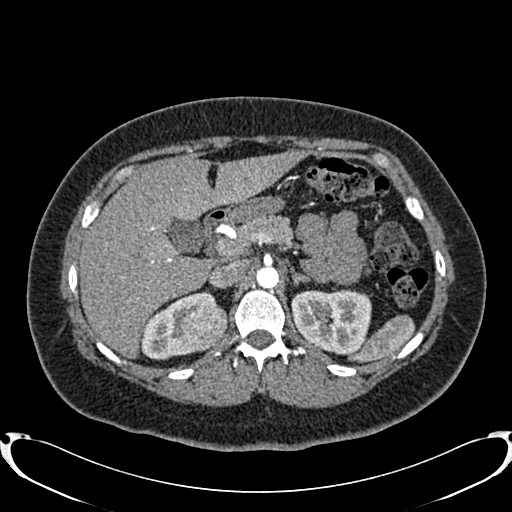
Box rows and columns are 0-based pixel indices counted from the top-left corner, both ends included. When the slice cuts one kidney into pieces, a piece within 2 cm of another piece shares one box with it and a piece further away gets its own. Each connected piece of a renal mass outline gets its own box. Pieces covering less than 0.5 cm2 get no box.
Slice 554/719 of a contrast-enhanced abdominal CT in the arterial phase, counting up from the lowest; pixel size 0.766 mm, slice thickness 1.00 mm. Three boxes on this slice (two kidney boxes and one renal mass box), listed by box centre from the image's left to its right. (1) Right kidney, box rows 291–360, columns 140–216 (outlined area 2,633 px, about 15.4 cm2). (2) Right renal mass at rows 305–349, columns 180–227 (outlined area 1,622 px, about 9.5 cm2). (3) Left kidney at rows 288–354, columns 291–371 (outlined area 4,245 px, about 24.9 cm2).
Scan settings: 120 kVp, B20f reconstruction kernel.